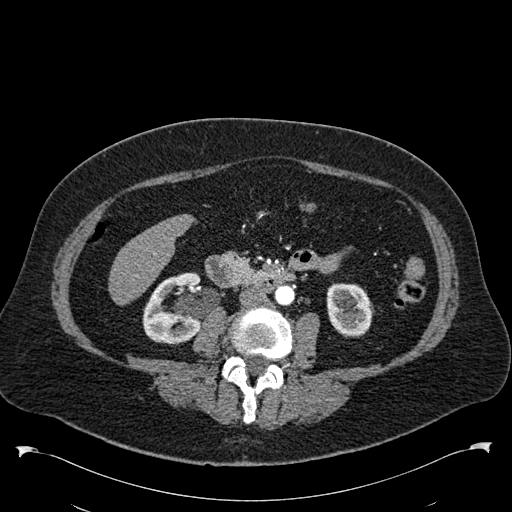
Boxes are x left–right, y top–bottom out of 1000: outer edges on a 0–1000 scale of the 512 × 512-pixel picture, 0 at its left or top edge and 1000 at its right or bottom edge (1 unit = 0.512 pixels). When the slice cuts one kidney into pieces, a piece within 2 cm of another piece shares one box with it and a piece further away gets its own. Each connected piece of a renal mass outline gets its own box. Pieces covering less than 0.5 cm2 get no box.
Arterial-phase contrast-enhanced abdominal CT, axial slice 261 of 538 (counted from the lowest slice); 1.00 mm thick, 0.811 mm per pixel. Two boxes on this slice (two kidney boxes), listed by box centre from the image's left to its right. (1) Right kidney, box x 277–393, y 531–674 out of 1000 (outlined area 3,260 px, about 21.4 cm2). (2) Box x 637–732, y 553–660 out of 1000: left kidney (outlined area 2,087 px, about 13.7 cm2). This slice carries no renal mass outline.
Scan settings: 120 kVp, B30f reconstruction kernel.